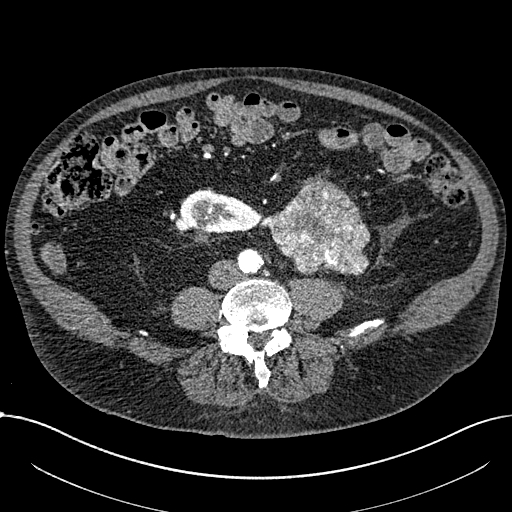
Abdominal CT with intravenous contrast, arterial phase, axial plane, 100 kVp, kernel I30f. Slice 236/1059 from the bottom of the scan; thickness 1.00 mm; pixel size 0.811 mm.
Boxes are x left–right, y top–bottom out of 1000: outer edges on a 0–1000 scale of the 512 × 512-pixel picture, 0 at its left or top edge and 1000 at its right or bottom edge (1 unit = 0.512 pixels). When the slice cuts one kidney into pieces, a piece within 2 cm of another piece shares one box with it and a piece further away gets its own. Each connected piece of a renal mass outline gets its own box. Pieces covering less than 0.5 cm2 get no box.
Boxed on this slice (one kidney box and one renal mass box), listed by box centre from the image's left to its right: (1) Right part of the midline-crossing kidney at x 342–510, y 369–459 out of 1000 (outlined area 2,834 px, about 18.6 cm2). (2) Renal mass, box x 510–725, y 342–537 out of 1000 (outlined area 7,066 px, about 46.4 cm2).